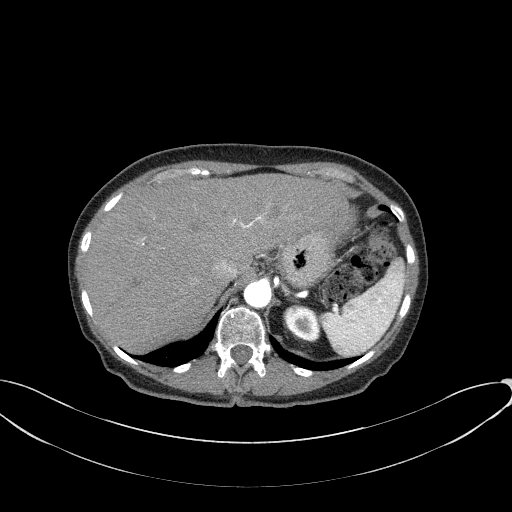
Arterial-phase contrast-enhanced abdominal CT, axial slice 55 of 77 (counted from the lowest slice); tube voltage 100 kVp, convolution kernel B41f; slices 3.00 mm thick, 0.809 mm per pixel.
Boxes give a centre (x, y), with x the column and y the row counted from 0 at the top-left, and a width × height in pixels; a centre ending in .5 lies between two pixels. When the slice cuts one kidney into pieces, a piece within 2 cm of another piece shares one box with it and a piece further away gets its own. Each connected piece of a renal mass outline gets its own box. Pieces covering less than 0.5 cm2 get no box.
Box centre (301.5, 323.5), 38 × 38 pixels: left kidney (outlined area 1,091 px, about 7.1 cm2). This slice carries no renal mass outline.